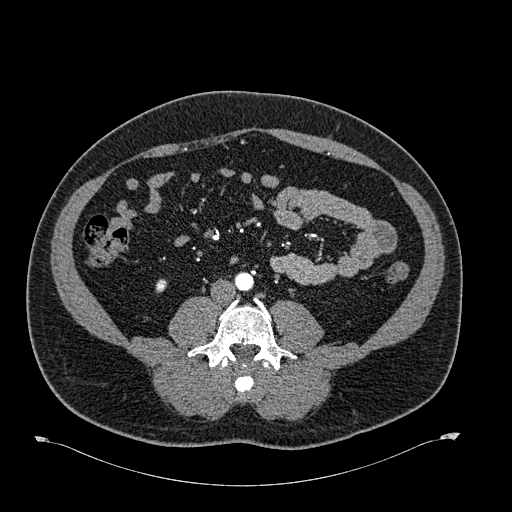
One axial slice (245 of 723, counting up from the lowest) of an arterial-phase abdominal CT acquired with 120 kVp, kernel B30f; each pixel is 0.895 mm and the slice is 1.00 mm thick.
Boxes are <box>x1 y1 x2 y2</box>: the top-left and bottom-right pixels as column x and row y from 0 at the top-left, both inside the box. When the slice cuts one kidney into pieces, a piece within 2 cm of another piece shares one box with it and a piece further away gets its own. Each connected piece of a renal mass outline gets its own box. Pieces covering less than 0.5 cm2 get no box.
Right kidney at <box>155 279 165 291</box> (outlined area 102 px, about 0.8 cm2). No renal mass is outlined on this slice.